Axial slice 107 of 325 of a contrast-enhanced abdominal CT in the arterial phase (slice 1 is the lowest), 100 kVp, kernel I30f; 1.00 mm slice thickness and 0.703 mm pixels.
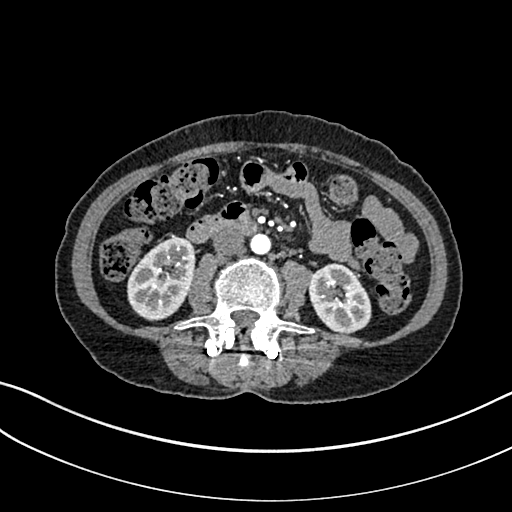
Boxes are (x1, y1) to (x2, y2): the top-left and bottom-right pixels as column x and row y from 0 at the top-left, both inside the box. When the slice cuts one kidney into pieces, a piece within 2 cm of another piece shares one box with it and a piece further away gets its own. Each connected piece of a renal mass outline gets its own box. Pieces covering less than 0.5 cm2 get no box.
Two kidney boxes on this slice; by box centre, from the image's left to its right: (1) Right kidney from (127, 235) to (195, 321) (outlined area 4,258 px, about 21.1 cm2). (2) Left kidney from (308, 262) to (371, 333) (outlined area 3,348 px, about 16.6 cm2). This slice carries no renal mass outline.